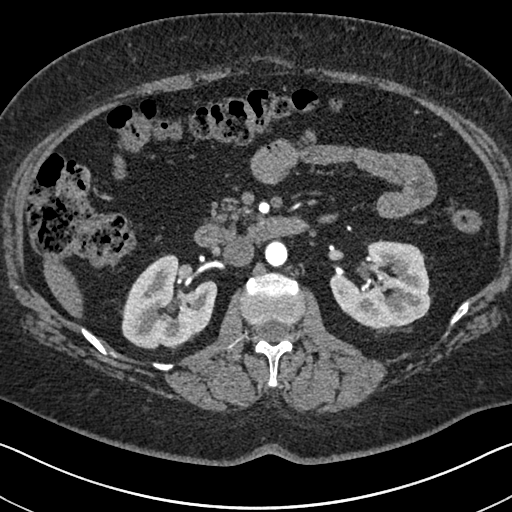
Axial slice 404 of 591 of a contrast-enhanced abdominal CT in the arterial phase (slice 1 is the lowest), 140 kVp, kernel I30f; 1.00 mm slice thickness and 0.703 mm pixels.
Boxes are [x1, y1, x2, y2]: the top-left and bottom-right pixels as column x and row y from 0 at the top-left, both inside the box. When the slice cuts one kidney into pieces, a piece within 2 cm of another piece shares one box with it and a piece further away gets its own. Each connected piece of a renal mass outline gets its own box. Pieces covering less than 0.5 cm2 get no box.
Two boxes on this slice (two kidney boxes), listed by box centre from the image's left to its right. (1) Right kidney, box [121, 254, 217, 350] (outlined area 6,539 px, about 32.3 cm2). (2) Left kidney at [329, 239, 430, 327] (outlined area 6,385 px, about 31.6 cm2). This slice carries no renal mass outline.